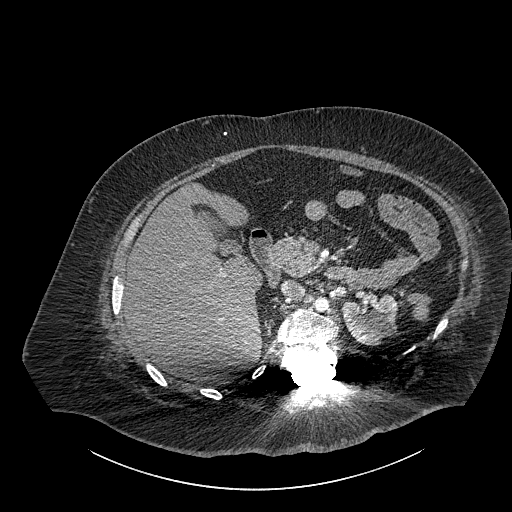
Contrast-enhanced abdominal CT, axial slice 592 of 834 (counted from the lowest slice); tube voltage 140 kVp, convolution kernel I30f; slices 1.00 mm thick, 0.977 mm per pixel.
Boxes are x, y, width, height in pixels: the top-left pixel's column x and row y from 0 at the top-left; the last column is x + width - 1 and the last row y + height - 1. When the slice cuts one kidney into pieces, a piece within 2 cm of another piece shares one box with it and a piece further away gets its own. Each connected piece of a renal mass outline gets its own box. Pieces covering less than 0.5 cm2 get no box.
Left part of the midline-crossing kidney, box x 342, y 293, width 55, height 52 (outlined area 2,202 px, about 21.0 cm2). No renal mass outline on this slice.